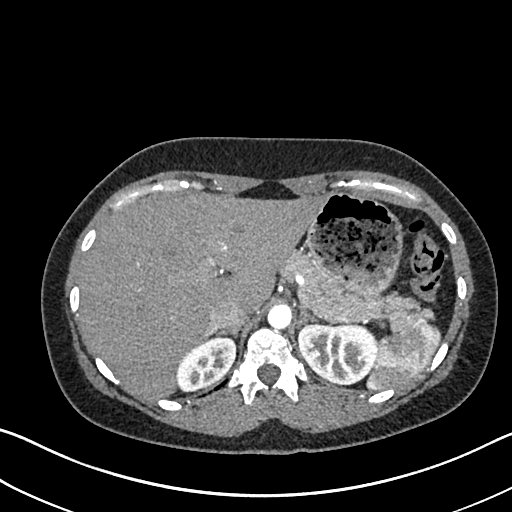
Abdominal CT with intravenous contrast, arterial phase, axial plane, 120 kVp, kernel I30f. Slice 525/612 from the bottom of the scan; thickness 1.00 mm; pixel size 0.703 mm.
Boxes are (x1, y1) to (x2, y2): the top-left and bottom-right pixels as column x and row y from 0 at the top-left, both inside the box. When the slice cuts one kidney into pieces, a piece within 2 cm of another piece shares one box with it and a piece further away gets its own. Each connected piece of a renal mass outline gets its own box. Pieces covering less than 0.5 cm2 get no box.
Boxed on this slice (two kidney boxes), listed by box centre from the image's left to its right: (1) Right kidney, box (175, 335) to (236, 390) (outlined area 2,314 px, about 11.4 cm2). (2) Left kidney from (297, 322) to (377, 385) (outlined area 3,961 px, about 19.6 cm2). No renal mass is outlined on this slice.